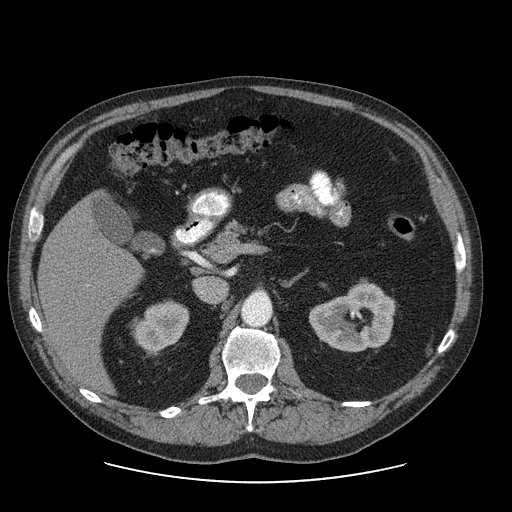
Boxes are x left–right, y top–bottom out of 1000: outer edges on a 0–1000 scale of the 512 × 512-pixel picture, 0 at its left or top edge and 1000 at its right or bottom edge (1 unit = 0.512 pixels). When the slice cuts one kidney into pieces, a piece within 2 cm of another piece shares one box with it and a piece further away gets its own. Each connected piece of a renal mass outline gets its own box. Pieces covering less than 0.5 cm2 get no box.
Slice 52/103 of a contrast-enhanced abdominal CT, counting up from the lowest; pixel size 0.820 mm, slice thickness 2.50 mm. Two boxes on this slice (two kidney boxes), listed by box centre from the image's left to its right. (1) Right kidney, box x 258–371, y 588–686 out of 1000 (outlined area 2,078 px, about 14.0 cm2). (2) Left kidney at x 604–773, y 553–689 out of 1000 (outlined area 4,197 px, about 28.2 cm2). No renal mass is outlined on this slice.
Scan settings: 120 kVp, STANDARD reconstruction kernel.